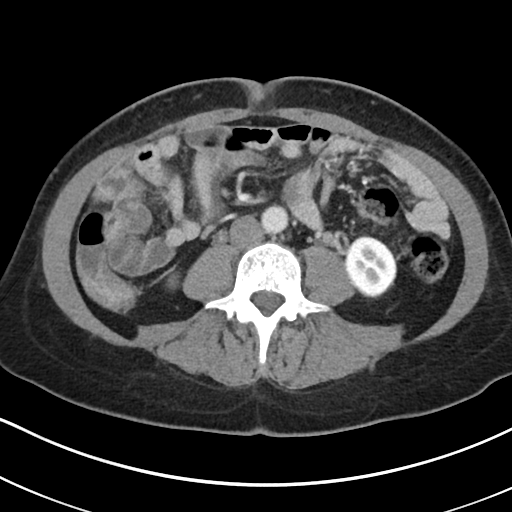
Axial slice 92 of 178 of a contrast-enhanced abdominal CT (slice 1 is the lowest), 100 kVp, kernel I30f; 5.00 mm slice thickness and 0.650 mm pixels.
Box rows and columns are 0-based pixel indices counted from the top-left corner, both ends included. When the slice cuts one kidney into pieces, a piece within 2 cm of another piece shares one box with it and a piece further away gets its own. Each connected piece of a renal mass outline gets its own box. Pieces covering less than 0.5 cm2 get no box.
Boxed on this slice (two kidney boxes), listed by box centre from the image's left to its right: (1) Right kidney at rows 272–288, columns 166–179 (outlined area 186 px, about 0.8 cm2). (2) Left kidney at rows 235–298, columns 345–397 (outlined area 2,507 px, about 10.6 cm2). No renal mass is outlined on this slice.